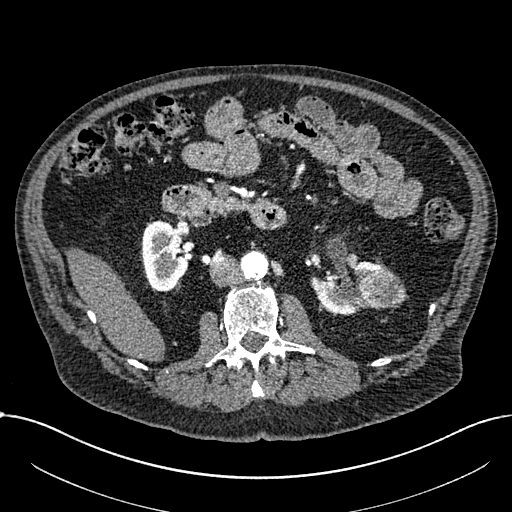
Axial slice 386 of 1059 of a contrast-enhanced abdominal CT in the arterial phase (slice 1 is the lowest), 100 kVp, kernel I30f; 1.00 mm slice thickness and 0.811 mm pixels.
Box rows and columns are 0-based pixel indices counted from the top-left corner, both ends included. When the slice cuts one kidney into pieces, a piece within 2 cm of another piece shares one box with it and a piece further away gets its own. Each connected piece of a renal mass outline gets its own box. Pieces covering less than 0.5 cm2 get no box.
Three boxes on this slice (two kidney boxes and one renal mass box), listed by box centre from the image's left to its right. (1) Right part of the midline-crossing kidney, box rows 220–291, columns 140–189 (outlined area 2,587 px, about 17.0 cm2). (2) Box rows 260–315, columns 310–389: left part of the midline-crossing kidney (outlined area 2,234 px, about 14.7 cm2). (3) Renal mass at rows 270–309, columns 358–405 (outlined area 1,456 px, about 9.6 cm2).